Abdominal CT with intravenous contrast, arterial phase, axial plane, 120 kVp, kernel B30f. Slice 100/157 from the bottom of the scan; thickness 3.00 mm; pixel size 0.742 mm.
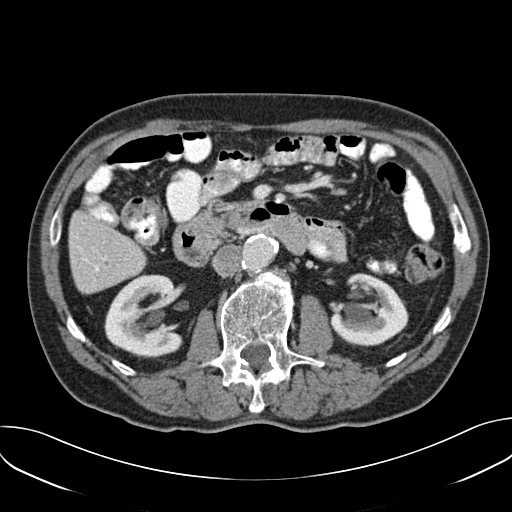
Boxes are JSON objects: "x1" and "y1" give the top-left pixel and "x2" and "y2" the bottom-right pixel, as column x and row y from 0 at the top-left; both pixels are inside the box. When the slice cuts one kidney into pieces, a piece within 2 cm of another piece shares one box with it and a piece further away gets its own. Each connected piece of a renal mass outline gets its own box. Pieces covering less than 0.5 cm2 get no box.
Two boxes on this slice (two kidney boxes), listed by box centre from the image's left to its right. (1) Right kidney, box {"x1": 104, "y1": 274, "x2": 183, "y2": 357} (outlined area 4,744 px, about 26.1 cm2). (2) Left kidney, box {"x1": 329, "y1": 273, "x2": 408, "y2": 346} (outlined area 4,004 px, about 22.1 cm2). This slice carries no renal mass outline.